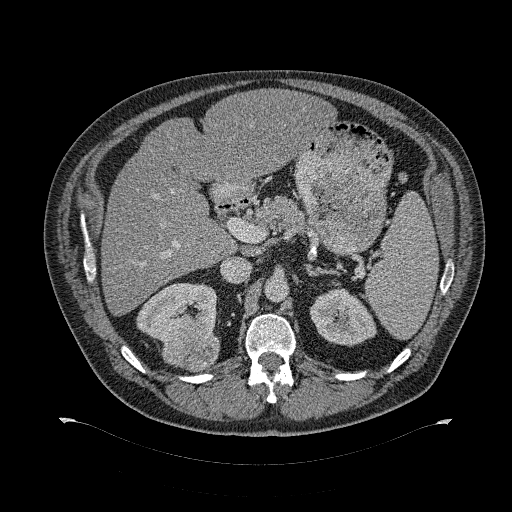
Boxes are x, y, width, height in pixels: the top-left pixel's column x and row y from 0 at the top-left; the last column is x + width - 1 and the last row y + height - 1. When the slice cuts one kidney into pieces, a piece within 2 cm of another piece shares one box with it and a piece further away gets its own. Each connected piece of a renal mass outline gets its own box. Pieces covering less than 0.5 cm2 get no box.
This is axial slice 206 of 274 (slice 1 is the lowest) of an abdominal CT with contrast; each pixel is 0.977 mm and the slice is 2.00 mm thick. Three boxes on this slice (two kidney boxes and one renal mass box), listed by box centre from the image's left to its right. (1) Right kidney, box x 136, y 283, width 81, height 60 (outlined area 3,070 px, about 29.3 cm2). (2) Right renal mass at x 161, y 321, width 59, height 51 (outlined area 2,300 px, about 21.9 cm2). (3) Left kidney at x 309, y 287, width 68, height 60 (outlined area 2,803 px, about 26.7 cm2).
Tube voltage 120 kVp; convolution kernel B31f.